Axial slice 610 of 834 of a contrast-enhanced abdominal CT (slice 1 is the lowest), 140 kVp, kernel I30f; 1.00 mm slice thickness and 0.977 mm pixels.
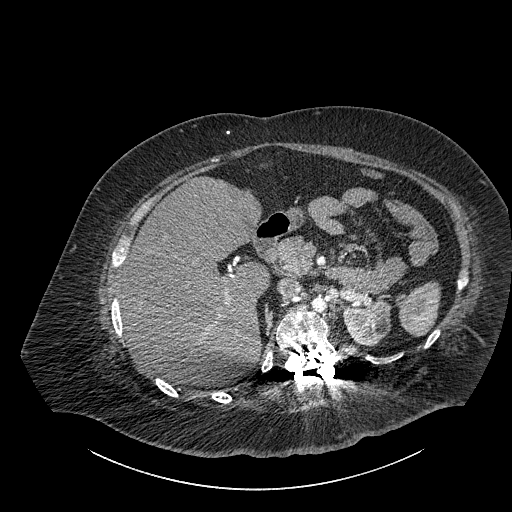
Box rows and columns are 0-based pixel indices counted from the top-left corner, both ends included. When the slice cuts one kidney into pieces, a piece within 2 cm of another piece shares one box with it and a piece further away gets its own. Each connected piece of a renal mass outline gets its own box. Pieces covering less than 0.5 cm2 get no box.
Left part of the midline-crossing kidney at rows 299–346, columns 342–390 (outlined area 1,776 px, about 16.9 cm2). This slice carries no renal mass outline.